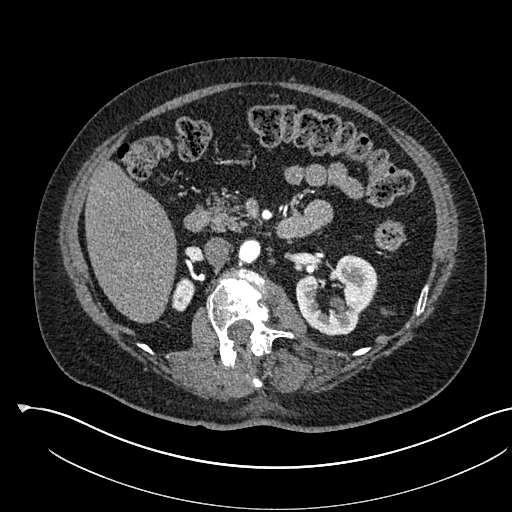
Arterial-phase contrast-enhanced abdominal CT, axial slice 338 of 541 (counted from the lowest slice); tube voltage 120 kVp, convolution kernel I30f; slices 1.00 mm thick, 0.834 mm per pixel.
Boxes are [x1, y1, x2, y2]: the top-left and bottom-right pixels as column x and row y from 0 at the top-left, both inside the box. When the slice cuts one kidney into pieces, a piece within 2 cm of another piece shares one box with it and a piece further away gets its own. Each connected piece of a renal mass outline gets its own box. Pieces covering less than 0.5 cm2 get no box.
Two kidney boxes on this slice; by box centre, from the image's left to its right: (1) Right kidney at [171, 277, 195, 311] (outlined area 584 px, about 4.1 cm2). (2) Left kidney, box [295, 254, 378, 335] (outlined area 4,264 px, about 29.7 cm2). No renal mass is outlined on this slice.